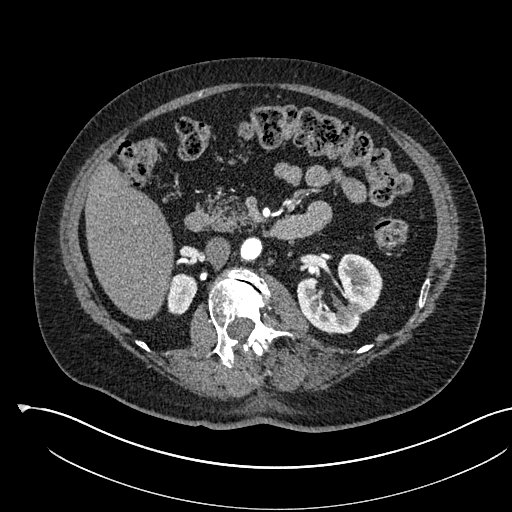
Arterial-phase contrast-enhanced abdominal CT, axial slice 332 of 541 (counted from the lowest slice); tube voltage 120 kVp, convolution kernel I30f; slices 1.00 mm thick, 0.834 mm per pixel.
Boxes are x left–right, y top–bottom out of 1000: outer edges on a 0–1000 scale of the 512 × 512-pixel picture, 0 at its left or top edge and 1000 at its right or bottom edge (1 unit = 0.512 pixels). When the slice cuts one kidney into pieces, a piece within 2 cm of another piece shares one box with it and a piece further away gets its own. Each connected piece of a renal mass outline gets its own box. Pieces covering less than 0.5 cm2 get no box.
Two kidney boxes on this slice; by box centre, from the image's left to its right: (1) Right kidney at x 328–387, y 533–617 out of 1000 (outlined area 968 px, about 6.7 cm2). (2) Left kidney, box x 578–748, y 494–654 out of 1000 (outlined area 4,474 px, about 31.1 cm2). No renal mass outline on this slice.